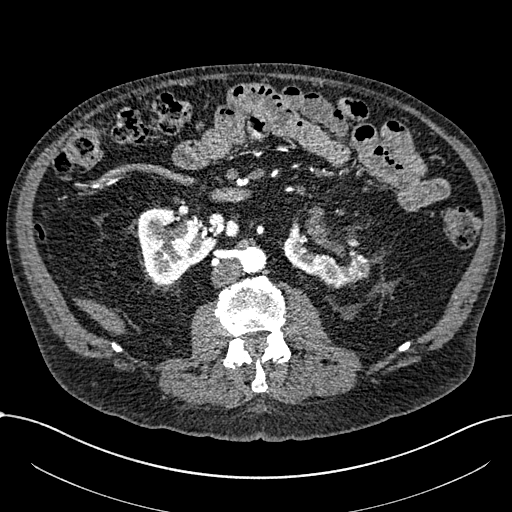
Arterial-phase contrast-enhanced abdominal CT, axial slice 344 of 1059 (counted from the lowest slice); tube voltage 100 kVp, convolution kernel I30f; slices 1.00 mm thick, 0.811 mm per pixel.
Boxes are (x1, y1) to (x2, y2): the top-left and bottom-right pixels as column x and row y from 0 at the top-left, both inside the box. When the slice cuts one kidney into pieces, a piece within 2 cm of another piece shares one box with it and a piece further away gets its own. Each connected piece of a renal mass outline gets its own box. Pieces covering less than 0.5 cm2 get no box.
Two boxes on this slice (two kidney boxes), listed by box centre from the image's left to its right. (1) Right part of the midline-crossing kidney, box (137, 205) to (218, 285) (outlined area 4,311 px, about 28.3 cm2). (2) Left part of the midline-crossing kidney from (282, 222) to (370, 288) (outlined area 3,032 px, about 19.9 cm2). No renal mass is outlined on this slice.